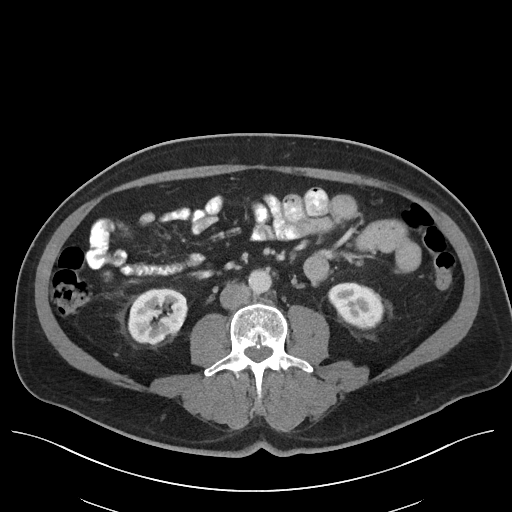
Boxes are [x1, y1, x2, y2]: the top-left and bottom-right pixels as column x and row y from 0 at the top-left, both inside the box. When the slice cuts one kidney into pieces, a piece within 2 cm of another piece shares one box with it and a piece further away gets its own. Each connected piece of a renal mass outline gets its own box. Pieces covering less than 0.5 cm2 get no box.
This is axial slice 56 of 96 (slice 1 is the lowest) of an arterial-phase abdominal CT with contrast; each pixel is 0.840 mm and the slice is 5.00 mm thick. Two kidney boxes on this slice; by box centre, from the image's left to its right: (1) Box [127, 287, 187, 344]: right kidney (outlined area 2,615 px, about 18.4 cm2). (2) Left kidney, box [328, 282, 383, 329] (outlined area 1,914 px, about 13.5 cm2). No renal mass outline on this slice.
Tube voltage 120 kVp; convolution kernel I40f.